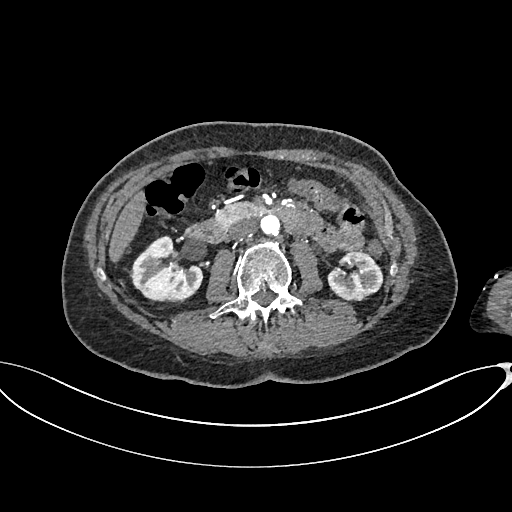
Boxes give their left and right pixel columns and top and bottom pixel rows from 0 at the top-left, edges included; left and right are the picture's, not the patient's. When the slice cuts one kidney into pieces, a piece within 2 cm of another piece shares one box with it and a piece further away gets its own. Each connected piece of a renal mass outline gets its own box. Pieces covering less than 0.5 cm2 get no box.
Arterial-phase contrast-enhanced abdominal CT, axial slice 367 of 665 (counted from the lowest slice); 1.00 mm thick, 0.828 mm per pixel. Boxed on this slice (two kidney boxes), listed by box centre from the image's left to its right: (1) Right kidney, the box with left 128, top 235, right 203, bottom 303 (outlined area 3,374 px, about 23.1 cm2). (2) Left kidney in the box with left 327, top 251, right 383, bottom 301 (outlined area 2,072 px, about 14.2 cm2). No renal mass outline on this slice.
Acquired at 100 kVp and reconstructed with the I26f kernel.